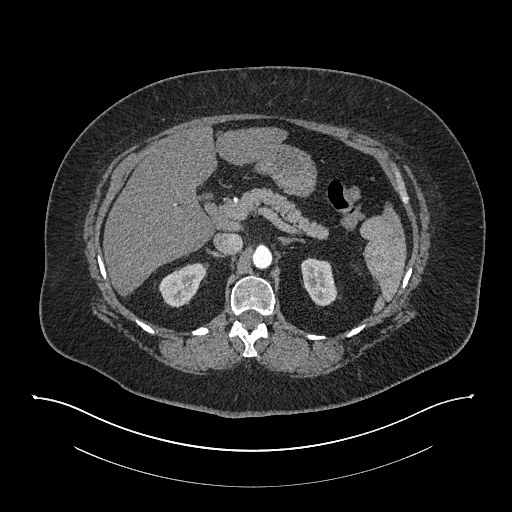
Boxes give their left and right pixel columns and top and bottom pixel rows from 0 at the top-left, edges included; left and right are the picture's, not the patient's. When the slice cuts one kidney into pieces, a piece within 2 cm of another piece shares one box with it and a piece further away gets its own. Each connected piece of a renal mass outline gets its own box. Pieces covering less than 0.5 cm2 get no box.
Arterial-phase contrast-enhanced abdominal CT, axial slice 551 of 673 (counted from the lowest slice); 1.00 mm thick, 0.957 mm per pixel. Two kidney boxes on this slice; by box centre, from the image's left to its right: (1) Box with left 159, top 263, right 208, bottom 307: right kidney (outlined area 1,450 px, about 13.3 cm2). (2) Left kidney in the box with left 300, top 257, right 340, bottom 306 (outlined area 1,354 px, about 12.4 cm2). This slice carries no renal mass outline.
Scan settings: 140 kVp, I30f reconstruction kernel.